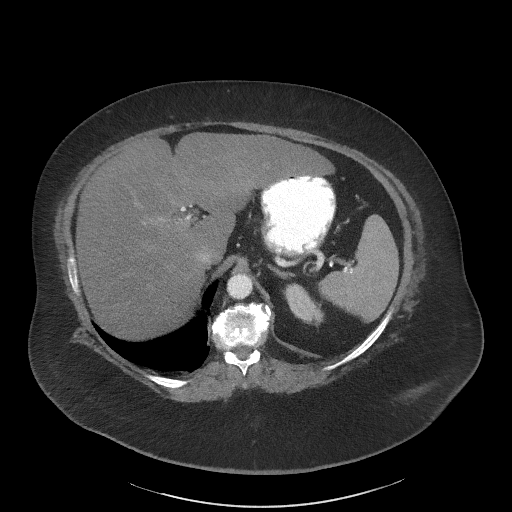
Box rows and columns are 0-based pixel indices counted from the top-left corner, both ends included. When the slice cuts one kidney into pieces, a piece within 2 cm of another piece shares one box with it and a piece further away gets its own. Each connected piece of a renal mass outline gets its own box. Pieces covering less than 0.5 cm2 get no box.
Arterial-phase contrast-enhanced abdominal CT, axial slice 55 of 61 (counted from the lowest slice); 3.00 mm thick, 0.947 mm per pixel. Left kidney at rows 283–324, columns 285–324 (outlined area 1,029 px, about 9.2 cm2). No renal mass outline on this slice.
Acquired at 140 kVp and reconstructed with the I41f kernel.